Abdominal CT with intravenous contrast, arterial phase, axial plane, 120 kVp, kernel B41f. Slice 53/131 from the bottom of the scan; thickness 5.00 mm; pixel size 0.760 mm.
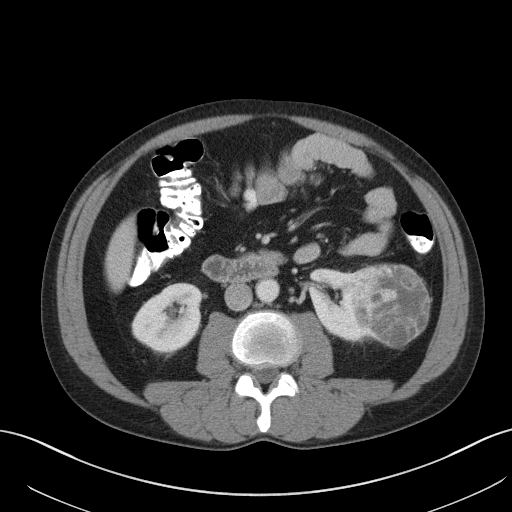
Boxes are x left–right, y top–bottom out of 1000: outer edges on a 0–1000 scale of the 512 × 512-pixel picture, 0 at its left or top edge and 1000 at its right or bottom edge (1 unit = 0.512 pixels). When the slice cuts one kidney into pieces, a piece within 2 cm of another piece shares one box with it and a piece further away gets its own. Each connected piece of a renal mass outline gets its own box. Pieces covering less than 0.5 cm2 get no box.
Boxed on this slice (two kidney boxes and one renal mass box), listed by box centre from the image's left to its right: (1) Box x 258–400, y 553–693 out of 1000: right kidney (outlined area 3,684 px, about 21.3 cm2). (2) Box x 602–725, y 523–670 out of 1000: left kidney (outlined area 2,582 px, about 14.9 cm2). (3) Box x 680–840, y 516–678 out of 1000: left renal mass (outlined area 5,340 px, about 30.8 cm2).